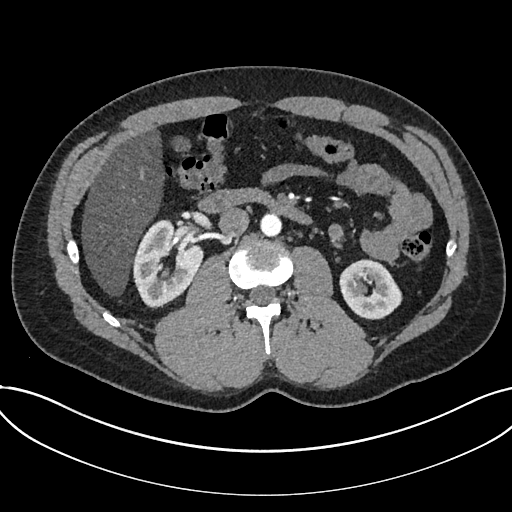
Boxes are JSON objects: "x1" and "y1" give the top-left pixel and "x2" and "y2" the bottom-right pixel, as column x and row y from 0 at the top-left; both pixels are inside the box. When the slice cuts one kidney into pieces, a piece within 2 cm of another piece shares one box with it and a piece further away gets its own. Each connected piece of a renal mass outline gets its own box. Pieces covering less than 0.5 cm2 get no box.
This is axial slice 396 of 735 (slice 1 is the lowest) of an arterial-phase abdominal CT with contrast; each pixel is 0.789 mm and the slice is 1.00 mm thick. Two boxes on this slice (two kidney boxes), listed by box centre from the image's left to its right. (1) Kidney at {"x1": 132, "y1": 219, "x2": 203, "y2": 308} (outlined area 4,247 px, about 26.4 cm2). (2) Kidney, box {"x1": 339, "y1": 259, "x2": 402, "y2": 319} (outlined area 2,814 px, about 17.5 cm2). This slice carries no renal mass outline.
Acquired at 120 kVp and reconstructed with the I30f kernel.